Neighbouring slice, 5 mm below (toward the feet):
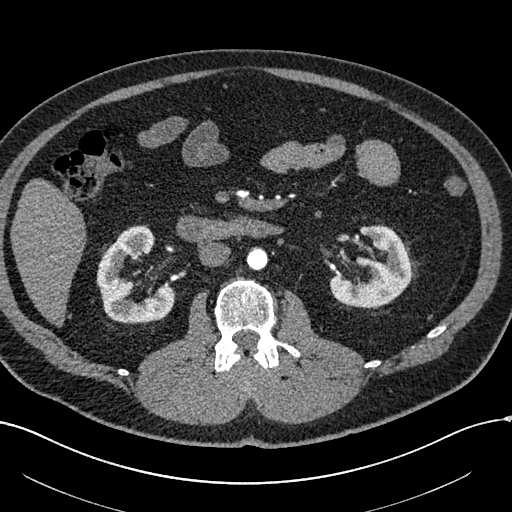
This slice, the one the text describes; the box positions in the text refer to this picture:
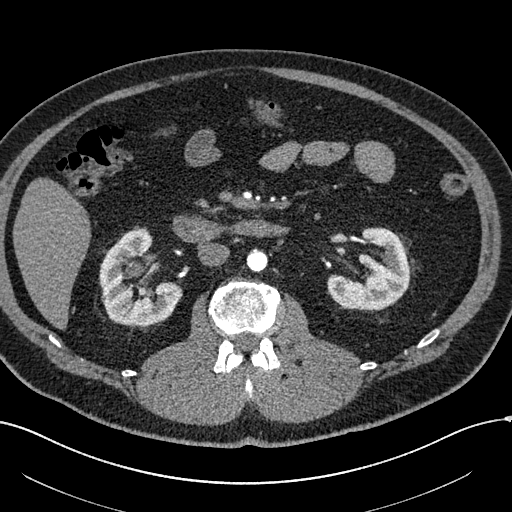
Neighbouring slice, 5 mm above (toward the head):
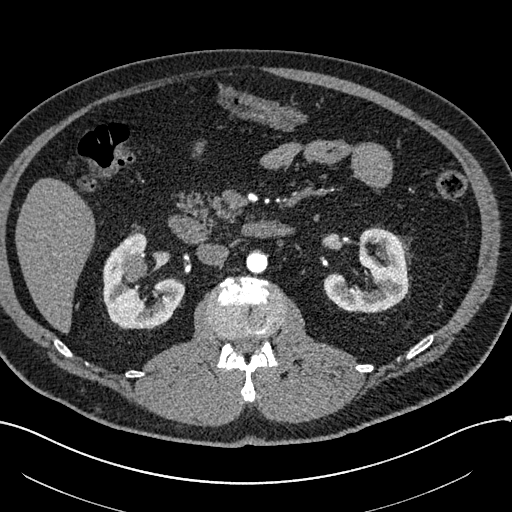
One axial slice (325 of 602, counting up from the lowest) of an arterial-phase abdominal CT acquired with 120 kVp, kernel I30f; each pixel is 0.799 mm and the slice is 1.00 mm thick.
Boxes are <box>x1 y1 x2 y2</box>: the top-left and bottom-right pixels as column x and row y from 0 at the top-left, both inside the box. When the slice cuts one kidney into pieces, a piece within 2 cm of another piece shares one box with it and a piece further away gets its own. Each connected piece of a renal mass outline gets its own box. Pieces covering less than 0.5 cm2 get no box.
Boxed on this slice (two kidney boxes and one renal mass box), listed by box centre from the image's left to its right: (1) Right renal mass: <box>131 262 143 276</box> (outlined area 149 px, about 1.0 cm2). (2) At <box>99 228 182 326</box>: right kidney (outlined area 5,190 px, about 33.1 cm2). (3) Left kidney: <box>327 227 409 310</box> (outlined area 4,471 px, about 28.5 cm2). This slice is near the end of the right renal mass toward the feet, so the slices 5 mm below and 5 mm above it are shown as well; the boxes refer to this slice only.